One axial slice (75 of 103, counting up from the lowest) of an arterial-phase abdominal CT acquired with 120 kVp, kernel B41f; each pixel is 0.951 mm and the slice is 5.00 mm thick.
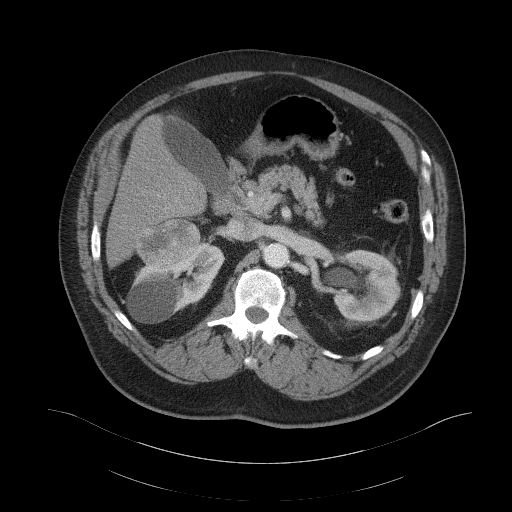
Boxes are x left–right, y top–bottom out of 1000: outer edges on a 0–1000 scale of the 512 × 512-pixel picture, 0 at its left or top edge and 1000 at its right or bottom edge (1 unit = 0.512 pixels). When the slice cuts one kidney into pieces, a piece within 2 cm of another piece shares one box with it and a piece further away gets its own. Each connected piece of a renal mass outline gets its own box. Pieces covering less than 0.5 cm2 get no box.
Boxed on this slice (two kidney boxes and one renal mass box), listed by box centre from the image's left to its right: (1) Right renal mass at x 264–391, y 426–523 out of 1000 (outlined area 2,534 px, about 22.9 cm2). (2) Right kidney at x 246–441, y 453–633 out of 1000 (outlined area 4,493 px, about 40.6 cm2). (3) Left kidney, box x 648–783, y 486–627 out of 1000 (outlined area 3,804 px, about 34.4 cm2).